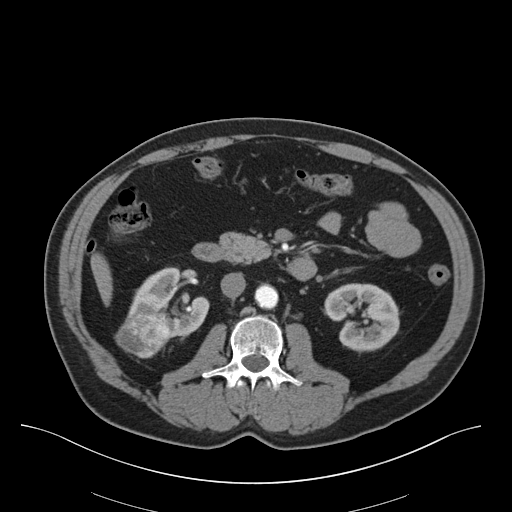
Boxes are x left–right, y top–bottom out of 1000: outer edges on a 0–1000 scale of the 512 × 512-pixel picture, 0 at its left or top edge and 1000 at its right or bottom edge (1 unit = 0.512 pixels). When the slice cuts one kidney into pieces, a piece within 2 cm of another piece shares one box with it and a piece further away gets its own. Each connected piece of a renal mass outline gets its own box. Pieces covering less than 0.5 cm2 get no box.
Slice 28/75 of a contrast-enhanced abdominal CT, counting up from the lowest; pixel size 0.875 mm, slice thickness 3.00 mm. Boxed on this slice (two kidney boxes and one renal mass box), listed by box centre from the image's left to its right: (1) Box x 225–336, y 615–701 out of 1000: right renal mass (outlined area 1,774 px, about 13.6 cm2). (2) Box x 244–410, y 521–662 out of 1000: right kidney (outlined area 3,331 px, about 25.5 cm2). (3) Left kidney at x 631–781, y 553–689 out of 1000 (outlined area 3,798 px, about 29.1 cm2).
Tube voltage 140 kVp; convolution kernel B30f.